Axial slice 310 of 527 of a contrast-enhanced abdominal CT in the arterial phase (slice 1 is the lowest), 120 kVp, kernel I30f; 1.00 mm slice thickness and 0.859 mm pixels.
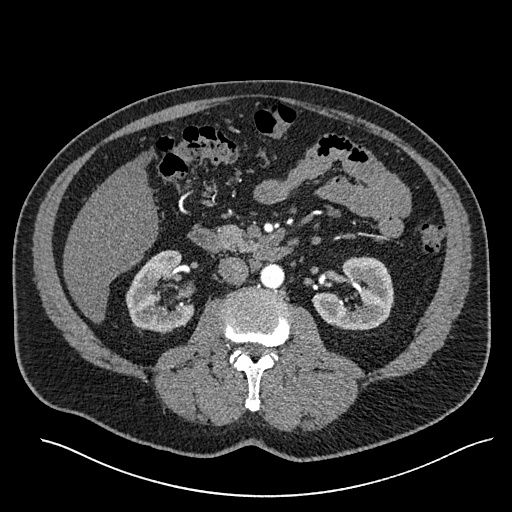
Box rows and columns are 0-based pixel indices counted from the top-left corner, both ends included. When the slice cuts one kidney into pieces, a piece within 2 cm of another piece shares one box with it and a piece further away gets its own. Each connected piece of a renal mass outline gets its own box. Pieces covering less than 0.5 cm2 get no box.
Two boxes on this slice (two kidney boxes), listed by box centre from the image's left to its right. (1) Right kidney at rows 250–332, columns 126–194 (outlined area 3,893 px, about 28.8 cm2). (2) Box rows 256–330, columns 312–394: left kidney (outlined area 4,153 px, about 30.7 cm2). No renal mass is outlined on this slice.